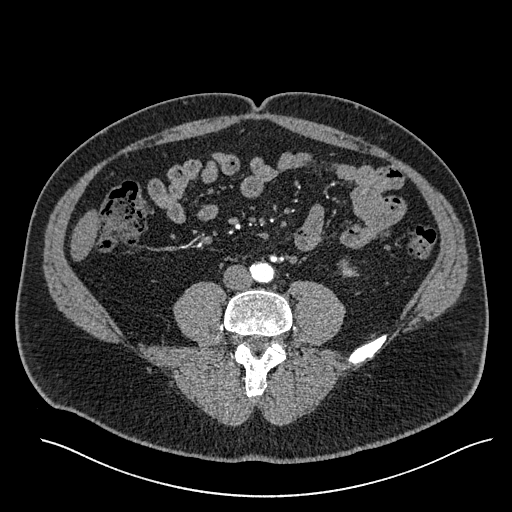
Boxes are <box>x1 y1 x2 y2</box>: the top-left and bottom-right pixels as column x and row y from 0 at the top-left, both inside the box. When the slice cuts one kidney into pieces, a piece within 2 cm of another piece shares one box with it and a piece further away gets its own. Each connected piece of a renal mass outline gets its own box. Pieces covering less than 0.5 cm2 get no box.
Arterial-phase contrast-enhanced abdominal CT, axial slice 179 of 527 (counted from the lowest slice); 1.00 mm thick, 0.859 mm per pixel. Left kidney: <box>338 259 359 276</box> (outlined area 232 px, about 1.7 cm2). No renal mass is outlined on this slice.
Tube voltage 120 kVp; convolution kernel I30f.